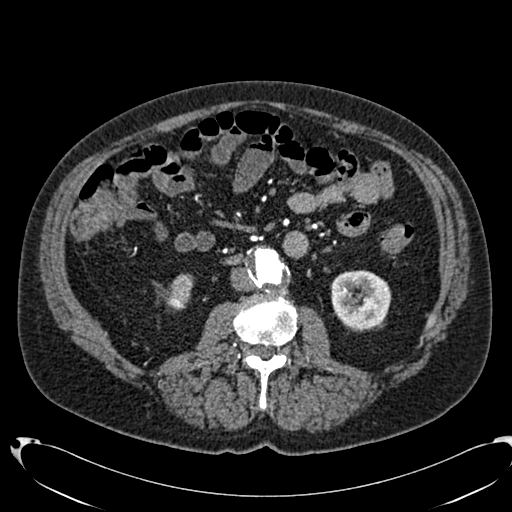
Arterial-phase contrast-enhanced abdominal CT, axial slice 355 of 553 (counted from the lowest slice); tube voltage 120 kVp, convolution kernel B20f; slices 1.00 mm thick, 0.773 mm per pixel.
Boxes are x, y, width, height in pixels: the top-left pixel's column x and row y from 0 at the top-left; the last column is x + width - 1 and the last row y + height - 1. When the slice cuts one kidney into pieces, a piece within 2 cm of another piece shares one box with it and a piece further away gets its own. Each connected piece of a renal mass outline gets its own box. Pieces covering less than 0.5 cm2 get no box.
Two boxes on this slice (two kidney boxes), listed by box centre from the image's left to its right. (1) Right kidney at x 166, y 273, width 28, height 38 (outlined area 737 px, about 4.4 cm2). (2) Left kidney at x 331, y 270, width 61, height 59 (outlined area 2,888 px, about 17.3 cm2). No renal mass outline on this slice.